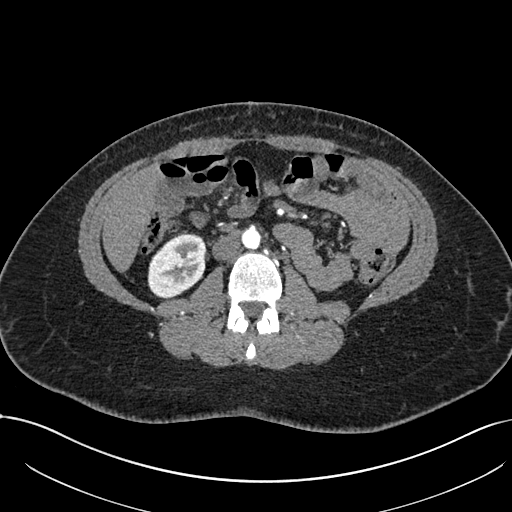
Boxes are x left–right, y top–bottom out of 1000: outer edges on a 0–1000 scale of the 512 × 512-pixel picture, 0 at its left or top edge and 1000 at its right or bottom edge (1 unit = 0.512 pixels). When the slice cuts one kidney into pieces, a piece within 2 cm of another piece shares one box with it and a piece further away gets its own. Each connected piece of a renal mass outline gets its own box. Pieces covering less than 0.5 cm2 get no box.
This is axial slice 355 of 738 (slice 1 is the lowest) of an arterial-phase abdominal CT with contrast; each pixel is 0.789 mm and the slice is 1.00 mm thick. Right kidney at x 287–404, y 457–584 out of 1000 (outlined area 2,882 px, about 17.9 cm2). This slice carries no renal mass outline.
Scan settings: 120 kVp, I30f reconstruction kernel.